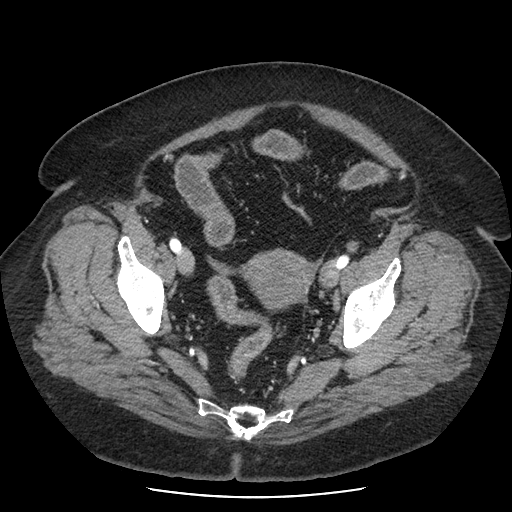
Axial slice 44 of 186 of a contrast-enhanced abdominal CT in the arterial phase (slice 1 is the lowest), 120 kVp, kernel STANDARD; 2.50 mm slice thickness and 0.742 mm pixels.
This slice carries no outline: it lies beyond the outlined kidneys and beyond every outlined renal mass. Other organs are not outlined in this scan.